Abdominal CT with intravenous contrast, axial plane, 100 kVp, kernel I41f. Slice 74/92 from the bottom of the scan; thickness 3.00 mm; pixel size 0.684 mm.
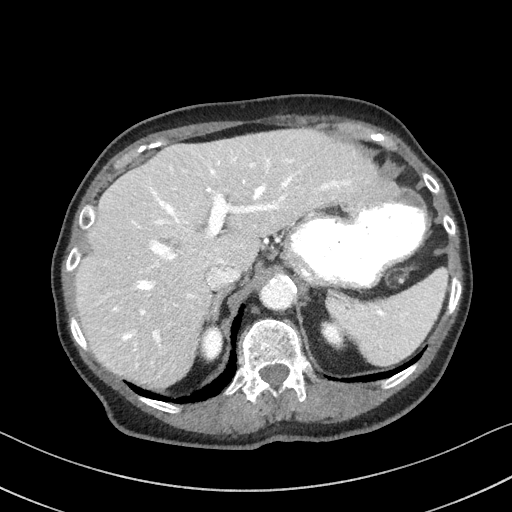
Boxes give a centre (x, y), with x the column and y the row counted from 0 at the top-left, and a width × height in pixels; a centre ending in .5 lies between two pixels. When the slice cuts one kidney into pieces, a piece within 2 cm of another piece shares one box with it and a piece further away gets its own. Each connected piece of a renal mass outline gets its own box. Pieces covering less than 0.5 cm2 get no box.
Two boxes on this slice (two kidney boxes), listed by box centre from the image's left to its right. (1) Right kidney in a box with centre (210.5, 344), 26 × 39 pixels (outlined area 756 px, about 3.5 cm2). (2) Box centre (332, 334.5), 27 × 32 pixels: left kidney (outlined area 550 px, about 2.6 cm2). No renal mass is outlined on this slice.